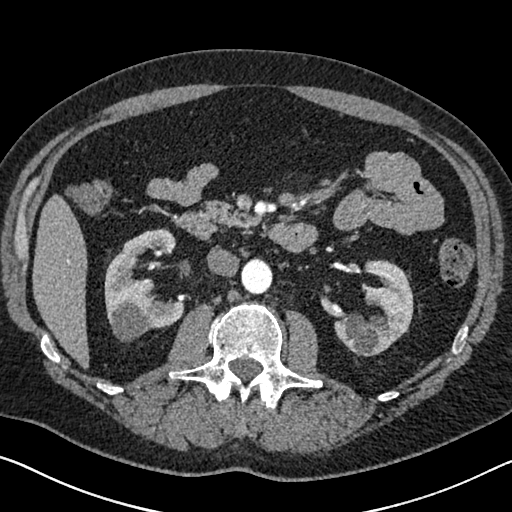
Arterial-phase contrast-enhanced abdominal CT, axial slice 382 of 626 (counted from the lowest slice); tube voltage 120 kVp, convolution kernel I30f; slices 1.00 mm thick, 0.703 mm per pixel.
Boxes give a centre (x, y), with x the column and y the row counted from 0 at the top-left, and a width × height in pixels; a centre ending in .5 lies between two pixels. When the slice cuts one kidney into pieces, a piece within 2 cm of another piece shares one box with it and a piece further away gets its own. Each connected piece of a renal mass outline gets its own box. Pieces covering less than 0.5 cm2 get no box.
Two boxes on this slice (two kidney boxes), listed by box centre from the image's left to its right. (1) Right kidney in a box with centre (144, 284.5), 81 × 114 pixels (outlined area 5,663 px, about 28.0 cm2). (2) Box centre (373.5, 308), 80 × 97 pixels: left kidney (outlined area 4,612 px, about 22.8 cm2). No renal mass is outlined on this slice.